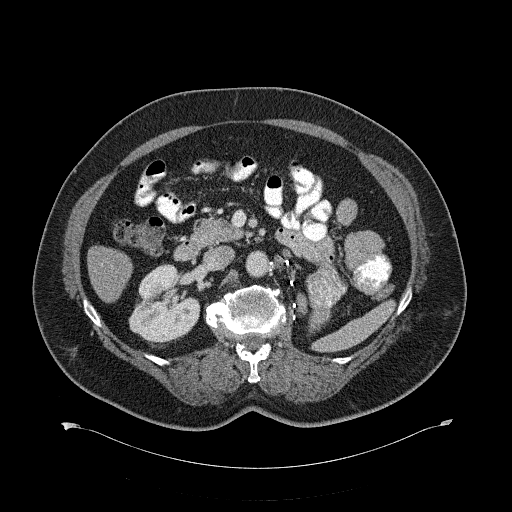
Axial slice 372 of 734 of a contrast-enhanced abdominal CT (slice 1 is the lowest), 120 kVp, kernel B31f; 2.00 mm slice thickness and 0.971 mm pixels.
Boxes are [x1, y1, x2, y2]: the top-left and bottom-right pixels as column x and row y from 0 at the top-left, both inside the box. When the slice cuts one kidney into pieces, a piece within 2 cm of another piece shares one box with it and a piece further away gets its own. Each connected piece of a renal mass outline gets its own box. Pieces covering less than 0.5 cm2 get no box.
Right kidney at [128, 264, 200, 340] (outlined area 3,946 px, about 37.2 cm2). This slice carries no renal mass outline.